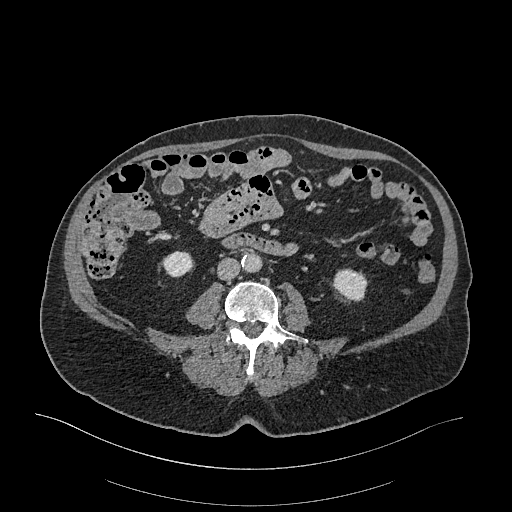
Axial slice 73 of 470 of a contrast-enhanced abdominal CT in the arterial phase (slice 1 is the lowest), 120 kVp, kernel I26f; 1.00 mm slice thickness and 0.938 mm pixels.
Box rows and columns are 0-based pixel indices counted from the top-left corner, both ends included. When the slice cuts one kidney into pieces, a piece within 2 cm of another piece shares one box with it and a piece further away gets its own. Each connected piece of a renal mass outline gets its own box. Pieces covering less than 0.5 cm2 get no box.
Two boxes on this slice (two kidney boxes), listed by box centre from the image's left to its right. (1) Box rows 250–277, columns 161–193: right kidney (outlined area 657 px, about 5.8 cm2). (2) Box rows 268–299, columns 333–367: left kidney (outlined area 841 px, about 7.4 cm2). This slice carries no renal mass outline.